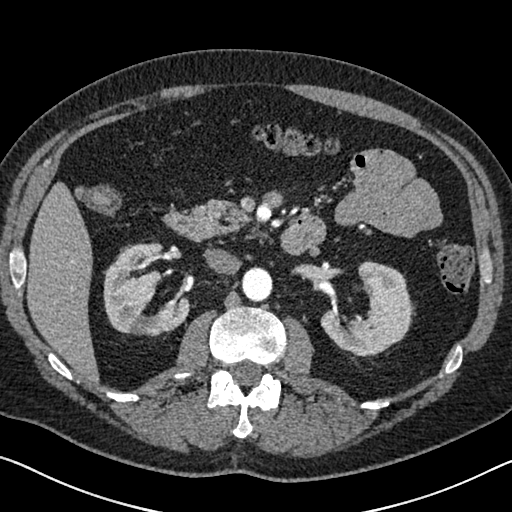
Arterial-phase contrast-enhanced abdominal CT, axial slice 405 of 626 (counted from the lowest slice); tube voltage 120 kVp, convolution kernel I30f; slices 1.00 mm thick, 0.703 mm per pixel.
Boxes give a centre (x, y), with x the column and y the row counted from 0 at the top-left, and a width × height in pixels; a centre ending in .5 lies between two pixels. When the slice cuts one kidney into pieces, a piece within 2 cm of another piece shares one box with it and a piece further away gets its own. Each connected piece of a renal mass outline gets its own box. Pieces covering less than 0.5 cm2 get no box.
Two boxes on this slice (two kidney boxes), listed by box centre from the image's left to its right. (1) Right kidney, box centre (146, 289), 87 × 95 pixels (outlined area 5,390 px, about 26.6 cm2). (2) Left kidney, box centre (367, 308.5), 95 × 96 pixels (outlined area 5,283 px, about 26.1 cm2). This slice carries no renal mass outline.